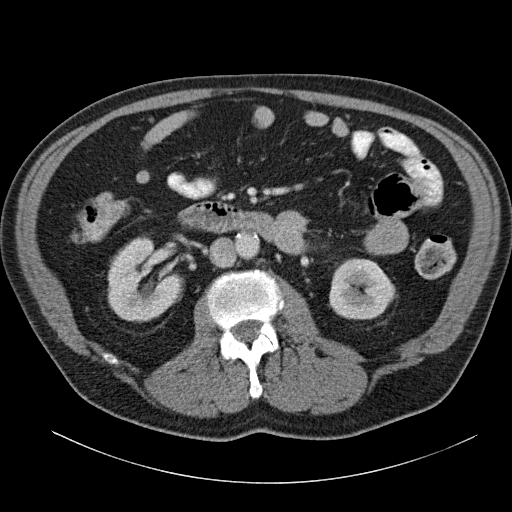
Abdominal CT with intravenous contrast, arterial phase, axial plane, 120 kVp, kernel B31f. Slice 67/140 from the bottom of the scan; thickness 5.00 mm; pixel size 0.754 mm.
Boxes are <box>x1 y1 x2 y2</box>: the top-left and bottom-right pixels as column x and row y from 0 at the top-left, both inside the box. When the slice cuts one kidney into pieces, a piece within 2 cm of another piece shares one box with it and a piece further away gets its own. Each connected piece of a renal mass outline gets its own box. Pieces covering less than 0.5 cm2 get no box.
Two boxes on this slice (two kidney boxes), listed by box centre from the image's left to its right. (1) Right kidney: <box>107 235 184 322</box> (outlined area 4,639 px, about 26.4 cm2). (2) Left kidney at <box>329 258 395 319</box> (outlined area 3,214 px, about 18.3 cm2). No renal mass is outlined on this slice.